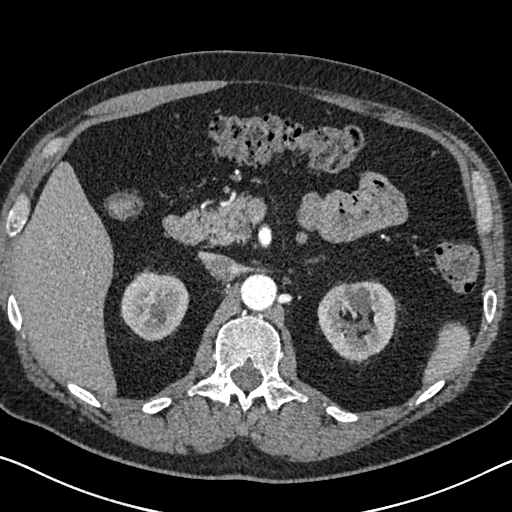
Abdominal CT with intravenous contrast, arterial phase, axial plane, 120 kVp, kernel I30f. Slice 451/626 from the bottom of the scan; thickness 1.00 mm; pixel size 0.703 mm.
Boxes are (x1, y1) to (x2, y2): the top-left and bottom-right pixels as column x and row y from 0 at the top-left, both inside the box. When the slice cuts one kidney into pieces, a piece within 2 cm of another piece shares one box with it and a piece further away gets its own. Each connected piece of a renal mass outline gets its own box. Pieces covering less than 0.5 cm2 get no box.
Two kidney boxes on this slice; by box centre, from the image's left to its right: (1) Box (120, 269) to (189, 340): right kidney (outlined area 3,691 px, about 18.2 cm2). (2) Left kidney, box (317, 280) to (397, 362) (outlined area 4,892 px, about 24.2 cm2). This slice carries no renal mass outline.